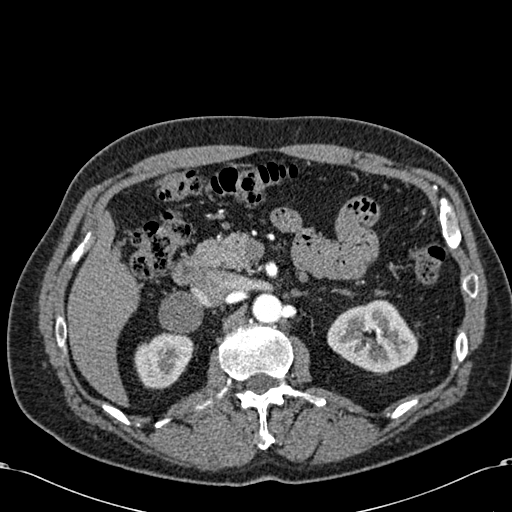
One axial slice (397 of 581, counting up from the lowest) of an arterial-phase abdominal CT acquired with 120 kVp, kernel B30f; each pixel is 0.713 mm and the slice is 1.00 mm thick.
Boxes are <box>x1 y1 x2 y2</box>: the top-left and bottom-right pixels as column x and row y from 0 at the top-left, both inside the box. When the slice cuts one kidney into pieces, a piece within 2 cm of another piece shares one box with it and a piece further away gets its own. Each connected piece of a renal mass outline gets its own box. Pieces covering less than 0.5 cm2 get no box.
Boxed on this slice (two kidney boxes), listed by box centre from the image's left to its right: (1) Right kidney at <box>134 332 193 389</box> (outlined area 2,565 px, about 13.0 cm2). (2) Left kidney: <box>327 299 418 372</box> (outlined area 4,765 px, about 24.2 cm2). This slice carries no renal mass outline.